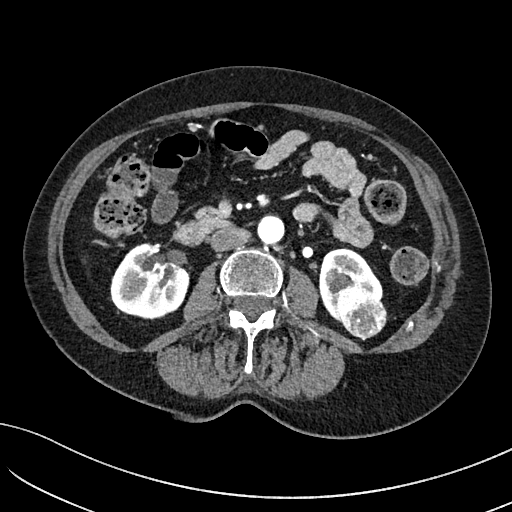
Abdominal CT with intravenous contrast, arterial phase, axial plane, 100 kVp, kernel I40f. Slice 43/234 from the bottom of the scan; thickness 2.00 mm; pixel size 0.699 mm.
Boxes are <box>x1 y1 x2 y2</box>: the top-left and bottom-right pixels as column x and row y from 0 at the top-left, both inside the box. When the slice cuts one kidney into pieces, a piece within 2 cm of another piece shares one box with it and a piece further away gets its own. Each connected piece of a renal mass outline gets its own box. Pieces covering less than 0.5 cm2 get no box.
Boxed on this slice (two kidney boxes and one renal mass box), listed by box centre from the image's left to its right: (1) Right kidney at <box>110 242 189 318</box> (outlined area 4,572 px, about 22.4 cm2). (2) Left kidney at <box>319 248 382 321</box> (outlined area 2,366 px, about 11.6 cm2). (3) Left renal mass at <box>334 286 387 338</box> (outlined area 2,104 px, about 10.3 cm2).